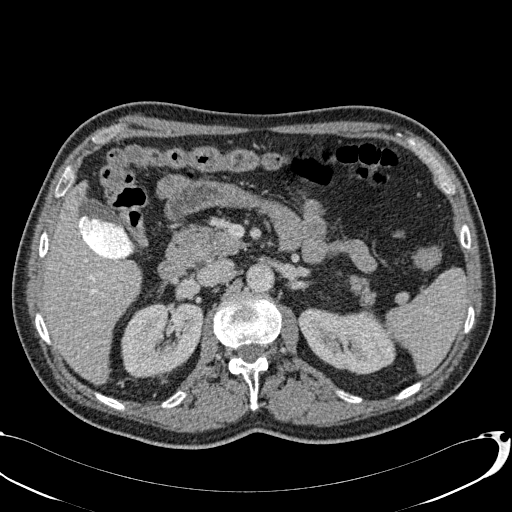
Abdominal CT with intravenous contrast, axial plane, 120 kVp, kernel B31f. Slice 53/113 from the bottom of the scan; thickness 2.00 mm; pixel size 0.742 mm.
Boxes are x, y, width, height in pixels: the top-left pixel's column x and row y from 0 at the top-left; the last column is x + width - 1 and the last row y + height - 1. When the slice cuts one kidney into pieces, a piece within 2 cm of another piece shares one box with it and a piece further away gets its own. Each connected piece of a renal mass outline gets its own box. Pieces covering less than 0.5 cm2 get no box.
Two kidney boxes on this slice; by box centre, from the image's left to its right: (1) Box x 121, y 301, width 82, height 78: right kidney (outlined area 4,913 px, about 27.1 cm2). (2) Left kidney at x 298, y 307, width 99, height 68 (outlined area 4,769 px, about 26.3 cm2). No renal mass outline on this slice.